Abdominal CT with intravenous contrast, arterial phase, axial plane, 120 kVp, kernel I26f. Slice 563/987 from the bottom of the scan; thickness 1.00 mm; pixel size 0.977 mm.
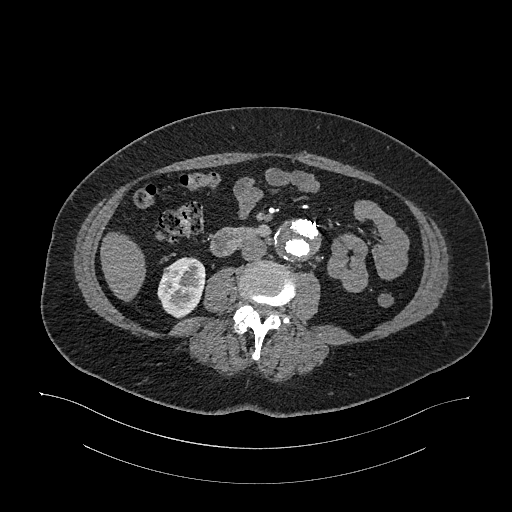
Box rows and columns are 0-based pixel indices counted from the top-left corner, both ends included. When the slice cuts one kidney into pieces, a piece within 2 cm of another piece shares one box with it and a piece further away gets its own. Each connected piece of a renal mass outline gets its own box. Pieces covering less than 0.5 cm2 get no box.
Right kidney at rows 257–318, columns 157–205 (outlined area 2,192 px, about 20.9 cm2).